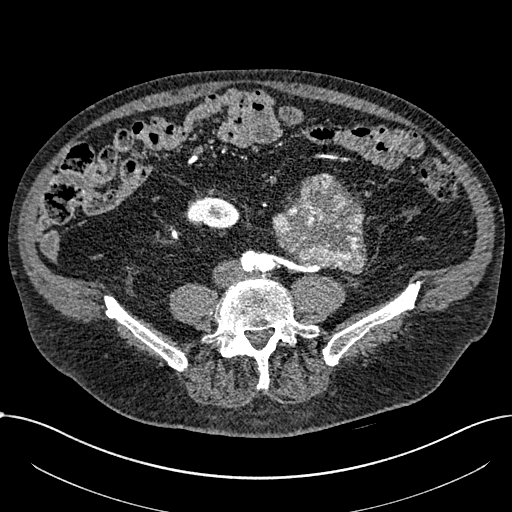
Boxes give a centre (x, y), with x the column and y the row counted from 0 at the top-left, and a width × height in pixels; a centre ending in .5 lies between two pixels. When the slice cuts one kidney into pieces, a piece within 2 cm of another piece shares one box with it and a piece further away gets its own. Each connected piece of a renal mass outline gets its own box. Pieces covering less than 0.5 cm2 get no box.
This is axial slice 211 of 1059 (slice 1 is the lowest) of an arterial-phase abdominal CT with contrast; each pixel is 0.811 mm and the slice is 1.00 mm thick. One kidney box and one renal mass box on this slice; by box centre, from the image's left to its right: (1) Right part of the midline-crossing kidney in a box with centre (212, 212), 55 × 33 pixels (outlined area 1,317 px, about 8.7 cm2). (2) Renal mass, box centre (319, 223.5), 95 × 102 pixels (outlined area 6,688 px, about 43.9 cm2); it sits over 1 cm from every kidney outline on this slice, but the same outlined renal mass comes within 1 cm of the kidney on another slice.
Scan settings: 100 kVp, I30f reconstruction kernel.